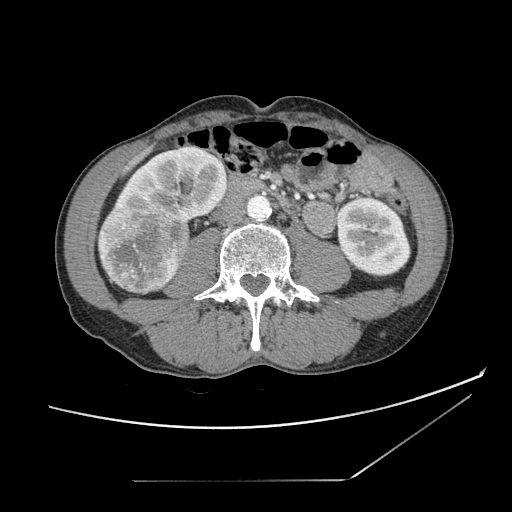
One axial slice (45 of 121, counting up from the lowest) of a contrast-enhanced abdominal CT acquired with 120 kVp, kernel STANDARD; each pixel is 0.742 mm and the slice is 2.50 mm thick.
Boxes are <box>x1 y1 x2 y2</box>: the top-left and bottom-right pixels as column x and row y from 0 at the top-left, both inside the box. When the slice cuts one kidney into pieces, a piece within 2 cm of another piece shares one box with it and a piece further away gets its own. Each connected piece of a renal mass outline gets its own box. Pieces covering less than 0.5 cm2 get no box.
Three boxes on this slice (two kidney boxes and one renal mass box), listed by box centre from the image's left to its right. (1) At <box>96 206 190 294</box>: right renal mass (outlined area 6,718 px, about 37.0 cm2). (2) Right kidney at <box>111 145 228 221</box> (outlined area 5,601 px, about 30.9 cm2). (3) At <box>337 196 411 278</box>: left kidney (outlined area 4,658 px, about 25.7 cm2).